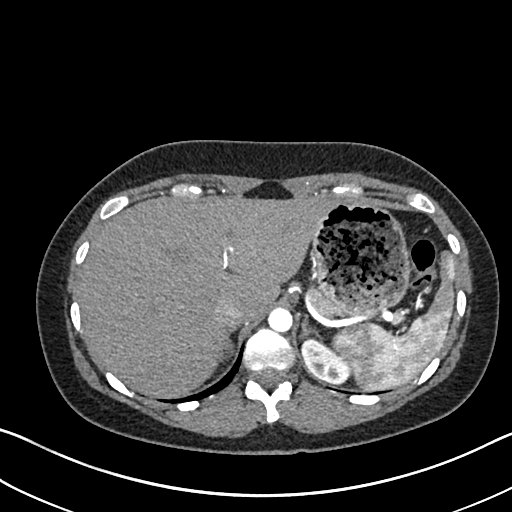
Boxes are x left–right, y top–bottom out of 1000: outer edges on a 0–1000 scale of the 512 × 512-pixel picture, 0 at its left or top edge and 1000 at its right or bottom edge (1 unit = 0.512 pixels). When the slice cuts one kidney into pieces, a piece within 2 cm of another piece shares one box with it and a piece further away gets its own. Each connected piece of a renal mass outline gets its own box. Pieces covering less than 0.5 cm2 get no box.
This is axial slice 547 of 612 (slice 1 is the lowest) of an arterial-phase abdominal CT with contrast; each pixel is 0.703 mm and the slice is 1.00 mm thick. Left kidney, box x 588–686, y 658–750 out of 1000 (outlined area 1,528 px, about 7.6 cm2). No renal mass is outlined on this slice.
Tube voltage 120 kVp; convolution kernel I30f.